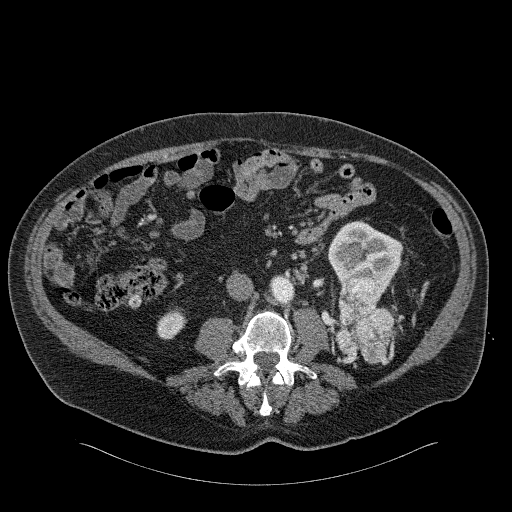
One axial slice (81 of 326, counting up from the lowest) of an arterial-phase abdominal CT acquired with 120 kVp, kernel B31f; each pixel is 0.963 mm and the slice is 2.00 mm thick.
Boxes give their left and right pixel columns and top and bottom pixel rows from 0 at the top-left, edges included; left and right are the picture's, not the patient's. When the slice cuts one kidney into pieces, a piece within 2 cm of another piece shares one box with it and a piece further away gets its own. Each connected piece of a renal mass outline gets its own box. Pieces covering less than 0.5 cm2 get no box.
Boxed on this slice (two kidney boxes and one renal mass box), listed by box centre from the image's left to its right: (1) Right kidney, the box with left 156, top 307, right 186, bottom 339 (outlined area 673 px, about 6.2 cm2). (2) Left kidney, the box with left 327, top 220, right 403, bottom 293 (outlined area 3,563 px, about 33.0 cm2). (3) Left renal mass, the box with left 334, top 276, right 396, bottom 363 (outlined area 3,885 px, about 36.0 cm2).